Axial slice 280 of 581 of a contrast-enhanced abdominal CT in the arterial phase (slice 1 is the lowest), 120 kVp, kernel B30f; 1.00 mm slice thickness and 0.713 mm pixels.
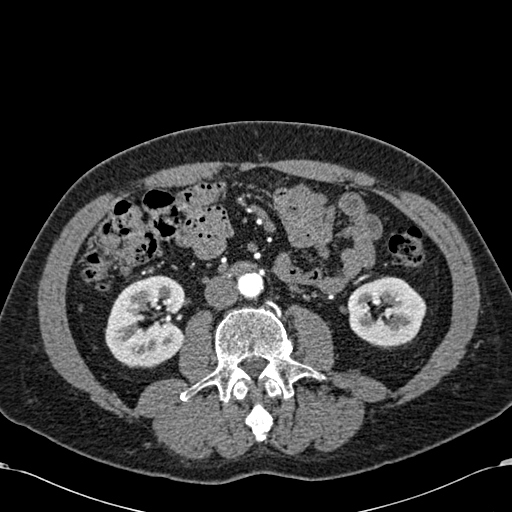
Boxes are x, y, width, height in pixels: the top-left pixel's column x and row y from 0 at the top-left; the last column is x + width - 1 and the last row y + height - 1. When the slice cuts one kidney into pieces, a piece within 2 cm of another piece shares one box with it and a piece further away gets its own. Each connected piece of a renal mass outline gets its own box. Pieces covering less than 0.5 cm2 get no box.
Boxed on this slice (two kidney boxes), listed by box centre from the image's left to its right: (1) Right kidney, box x 105, y 275, width 82, height 94 (outlined area 5,738 px, about 29.2 cm2). (2) Box x 346, y 276, width 81, height 74: left kidney (outlined area 4,263 px, about 21.7 cm2). No renal mass is outlined on this slice.